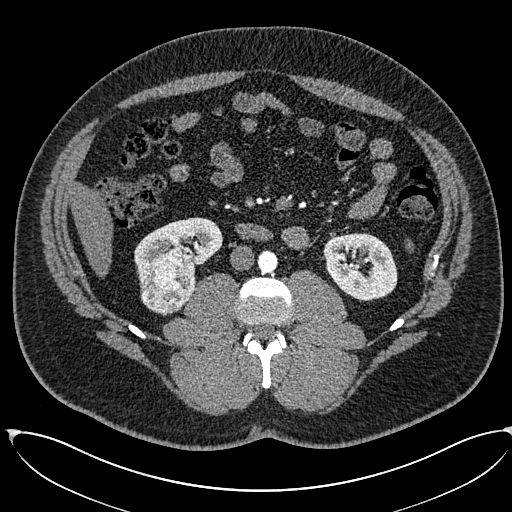
Abdominal CT with intravenous contrast, arterial phase, axial plane, 120 kVp, kernel I30f. Slice 293/673 from the bottom of the scan; thickness 1.00 mm; pixel size 0.855 mm.
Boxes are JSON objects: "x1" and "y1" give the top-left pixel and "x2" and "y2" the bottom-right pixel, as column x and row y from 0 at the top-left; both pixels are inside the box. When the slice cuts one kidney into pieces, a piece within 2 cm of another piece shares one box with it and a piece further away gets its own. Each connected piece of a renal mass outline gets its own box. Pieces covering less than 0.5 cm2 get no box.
Three boxes on this slice (two kidney boxes and one renal mass box), listed by box centre from the image's left to its right. (1) Right renal mass at {"x1": 138, "y1": 247, "x2": 198, "y2": 313} (outlined area 2,866 px, about 21.0 cm2). (2) Box {"x1": 134, "y1": 217, "x2": 222, "y2": 275}: right kidney (outlined area 2,943 px, about 21.5 cm2). (3) Box {"x1": 323, "y1": 233, "x2": 397, "y2": 301}: left kidney (outlined area 3,853 px, about 28.2 cm2).